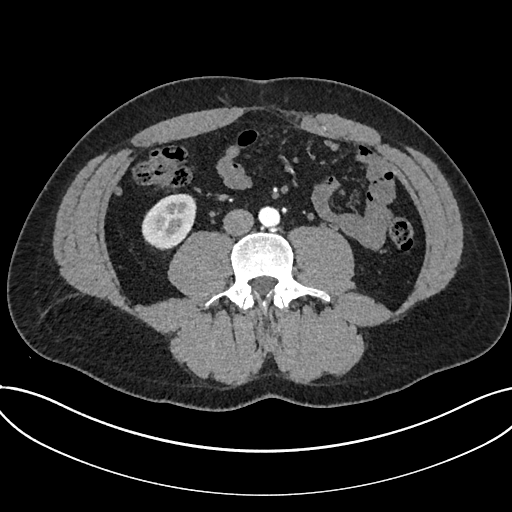
Arterial-phase contrast-enhanced abdominal CT, axial slice 287 of 735 (counted from the lowest slice); tube voltage 120 kVp, convolution kernel I30f; slices 1.00 mm thick, 0.789 mm per pixel.
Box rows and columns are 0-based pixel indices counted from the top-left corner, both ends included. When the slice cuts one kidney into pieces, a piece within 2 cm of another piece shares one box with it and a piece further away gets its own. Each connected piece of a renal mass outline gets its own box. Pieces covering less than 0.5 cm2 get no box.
Kidney, box rows 193–250, columns 141–196 (outlined area 2,349 px, about 14.6 cm2). This slice carries no renal mass outline.